Arterial-phase contrast-enhanced abdominal CT, axial slice 169 of 199 (counted from the lowest slice); tube voltage 120 kVp, convolution kernel STANDARD; slices 2.50 mm thick, 0.789 mm per pixel.
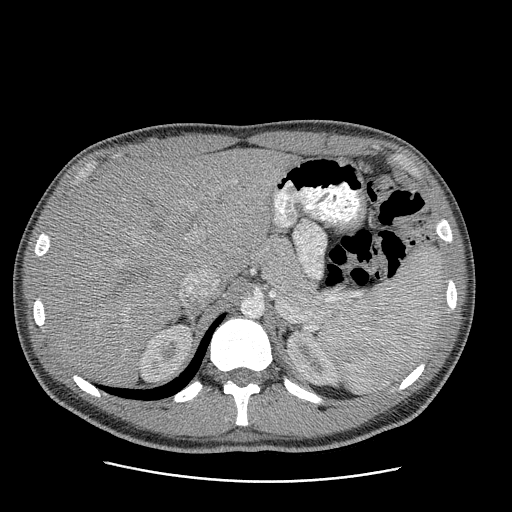
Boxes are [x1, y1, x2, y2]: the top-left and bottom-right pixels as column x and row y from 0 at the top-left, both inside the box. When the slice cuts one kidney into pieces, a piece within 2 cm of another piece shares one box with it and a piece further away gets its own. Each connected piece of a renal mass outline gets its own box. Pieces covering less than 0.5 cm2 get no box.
Boxed on this slice (two kidney boxes), listed by box centre from the image's left to its right: (1) Box [139, 324, 191, 381]: right kidney (outlined area 2,099 px, about 13.1 cm2). (2) Box [286, 330, 338, 386]: left kidney (outlined area 1,924 px, about 12.0 cm2). No renal mass outline on this slice.